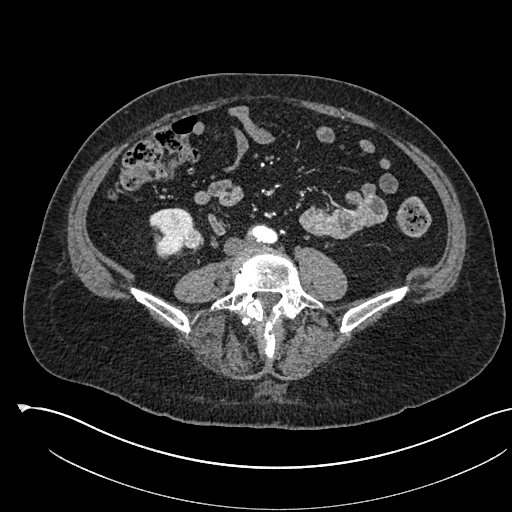
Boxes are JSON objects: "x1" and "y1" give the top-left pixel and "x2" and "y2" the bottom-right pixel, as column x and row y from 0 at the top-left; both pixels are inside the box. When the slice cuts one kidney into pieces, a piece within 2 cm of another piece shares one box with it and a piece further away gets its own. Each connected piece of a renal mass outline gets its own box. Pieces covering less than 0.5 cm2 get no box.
This is axial slice 194 of 541 (slice 1 is the lowest) of an arterial-phase abdominal CT with contrast; each pixel is 0.834 mm and the slice is 1.00 mm thick. Two boxes on this slice (one kidney box and one renal mass box), listed by box centre from the image's left to its right. (1) Right kidney at {"x1": 149, "y1": 207, "x2": 194, "y2": 258} (outlined area 1,591 px, about 11.1 cm2). (2) Box {"x1": 183, "y1": 228, "x2": 203, "y2": 249}: right renal mass (outlined area 359 px, about 2.5 cm2).
Acquired at 120 kVp and reconstructed with the I30f kernel.